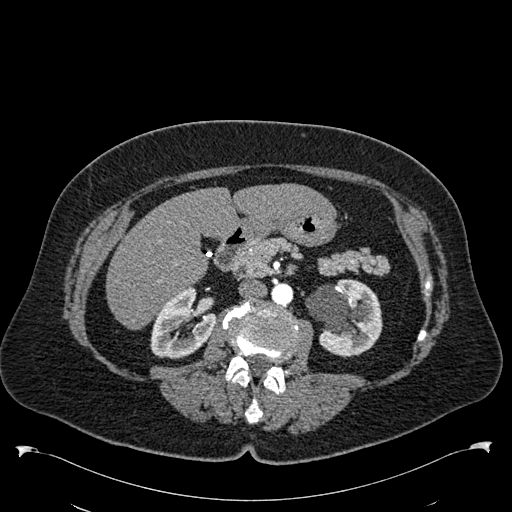
Arterial-phase contrast-enhanced abdominal CT, axial slice 319 of 538 (counted from the lowest slice); tube voltage 120 kVp, convolution kernel B30f; slices 1.00 mm thick, 0.811 mm per pixel.
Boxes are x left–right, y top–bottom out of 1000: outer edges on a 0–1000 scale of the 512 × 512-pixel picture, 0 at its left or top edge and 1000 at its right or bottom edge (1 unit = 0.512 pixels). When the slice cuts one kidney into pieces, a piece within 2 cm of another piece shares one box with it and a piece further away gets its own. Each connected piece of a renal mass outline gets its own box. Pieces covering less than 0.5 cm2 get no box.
Two boxes on this slice (two kidney boxes), listed by box centre from the image's left to its right. (1) Box x 293–424, y 561–703 out of 1000: right kidney (outlined area 3,187 px, about 20.9 cm2). (2) Left kidney, box x 596–748, y 545–697 out of 1000 (outlined area 4,381 px, about 28.8 cm2). This slice carries no renal mass outline.